Axial slice 211 of 602 of a contrast-enhanced abdominal CT in the arterial phase (slice 1 is the lowest), 120 kVp, kernel I30f; 1.00 mm slice thickness and 0.799 mm pixels.
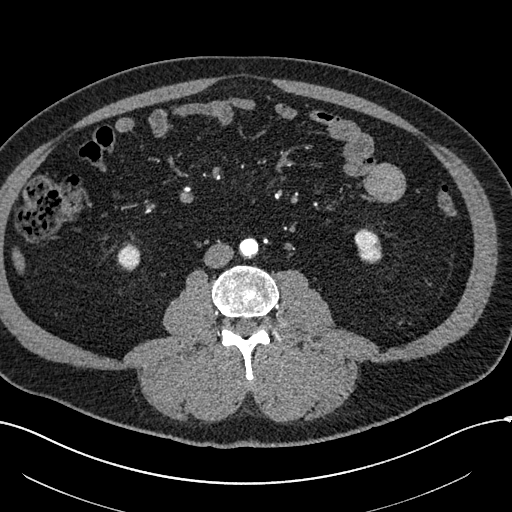
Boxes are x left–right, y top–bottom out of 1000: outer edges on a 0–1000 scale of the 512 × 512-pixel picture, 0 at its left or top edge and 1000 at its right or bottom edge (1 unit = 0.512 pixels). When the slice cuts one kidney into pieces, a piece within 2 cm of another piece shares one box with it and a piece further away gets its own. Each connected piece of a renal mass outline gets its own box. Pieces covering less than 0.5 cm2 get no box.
Two boxes on this slice (two kidney boxes), listed by box centre from the image's left to its right. (1) Right kidney, box x 229–275, y 473–531 out of 1000 (outlined area 515 px, about 3.3 cm2). (2) Left kidney at x 691–748, y 445–516 out of 1000 (outlined area 750 px, about 4.8 cm2). No renal mass outline on this slice.